One axial slice (77 of 82, counting up from the lowest) of an arterial-phase abdominal CT acquired with 120 kVp, kernel B31f; each pixel is 0.625 mm and the slice is 5.00 mm thick.
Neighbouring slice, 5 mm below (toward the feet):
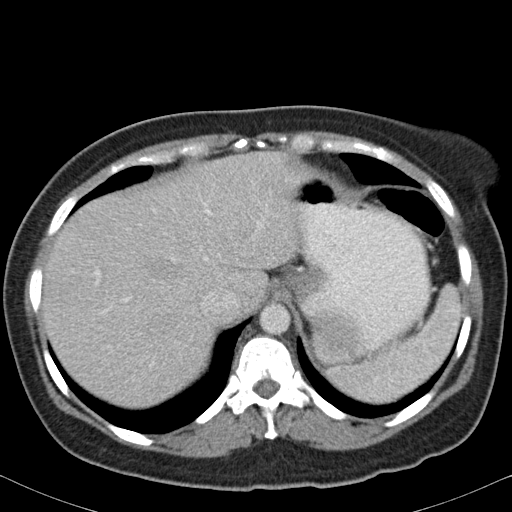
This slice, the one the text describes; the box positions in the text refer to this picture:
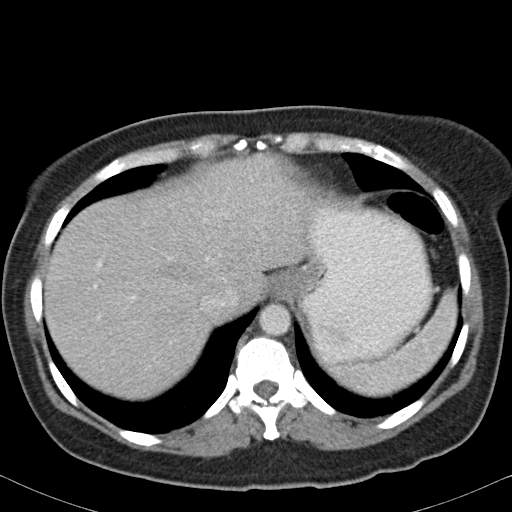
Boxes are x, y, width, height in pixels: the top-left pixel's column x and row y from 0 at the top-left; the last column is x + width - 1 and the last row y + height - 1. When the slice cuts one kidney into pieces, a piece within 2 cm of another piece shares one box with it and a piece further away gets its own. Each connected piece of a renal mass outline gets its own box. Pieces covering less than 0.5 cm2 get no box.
Left renal mass at x 317, y 323, width 53, height 39 (outlined area 1,541 px, about 6.0 cm2); no kidney is outlined on this slice, but the same outlined renal mass comes within 1 cm of the kidney on another slice. This slice lies near the end of the left renal mass toward the head; the slice 5 mm below it is shown too, and the boxes mark positions on this slice only.